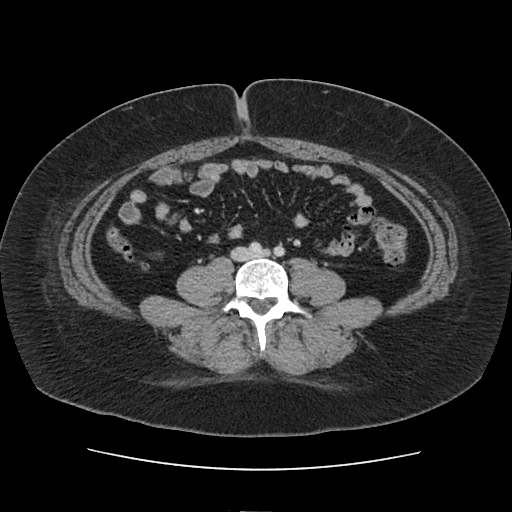
Abdominal CT with intravenous contrast, arterial phase, axial plane, 120 kVp, kernel FC19. Slice 48/103 from the bottom of the scan; thickness 5.00 mm; pixel size 0.873 mm.
Neither a kidney nor a renal mass is outlined here. Only kidneys and renal masses are outlined anywhere in this scan; other structures are never outlined.